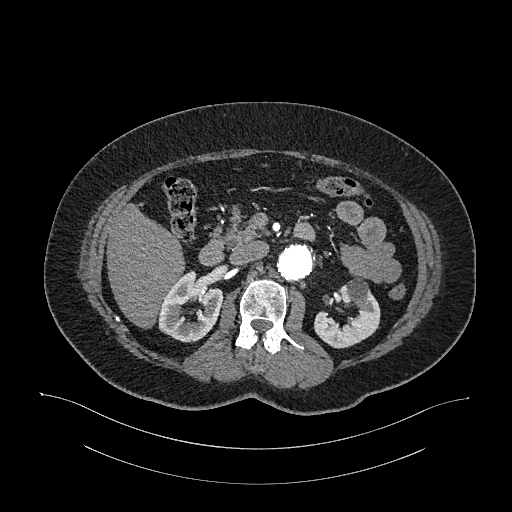
Arterial-phase contrast-enhanced abdominal CT, axial slice 665 of 987 (counted from the lowest slice); tube voltage 120 kVp, convolution kernel I26f; slices 1.00 mm thick, 0.977 mm per pixel.
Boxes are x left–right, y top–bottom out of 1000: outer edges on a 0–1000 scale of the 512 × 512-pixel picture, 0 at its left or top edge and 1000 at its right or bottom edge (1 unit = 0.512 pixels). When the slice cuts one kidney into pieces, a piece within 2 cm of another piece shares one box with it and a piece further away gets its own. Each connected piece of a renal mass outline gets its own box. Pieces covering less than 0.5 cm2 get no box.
Two boxes on this slice (two kidney boxes), listed by box centre from the image's left to its right. (1) Right kidney, box x 309–436, y 527–670 out of 1000 (outlined area 3,175 px, about 30.3 cm2). (2) Left kidney at x 613–744, y 537–682 out of 1000 (outlined area 2,853 px, about 27.2 cm2). No renal mass outline on this slice.